Axial slice 217 of 389 of a contrast-enhanced abdominal CT in the arterial phase (slice 1 is the lowest), 120 kVp, kernel STANDARD; 1.25 mm slice thickness and 0.869 mm pixels.
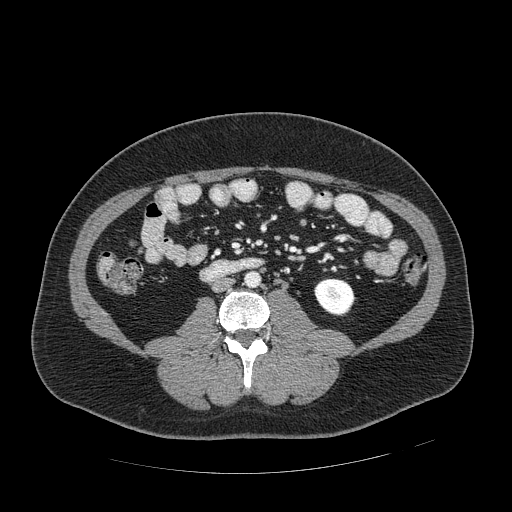
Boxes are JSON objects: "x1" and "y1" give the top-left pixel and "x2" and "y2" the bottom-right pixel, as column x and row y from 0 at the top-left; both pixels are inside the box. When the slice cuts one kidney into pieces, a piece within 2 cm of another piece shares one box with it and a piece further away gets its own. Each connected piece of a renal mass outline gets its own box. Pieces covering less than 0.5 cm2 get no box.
Box {"x1": 314, "y1": 278, "x2": 354, "y2": 316}: left kidney (outlined area 1,208 px, about 9.1 cm2). This slice carries no renal mass outline.